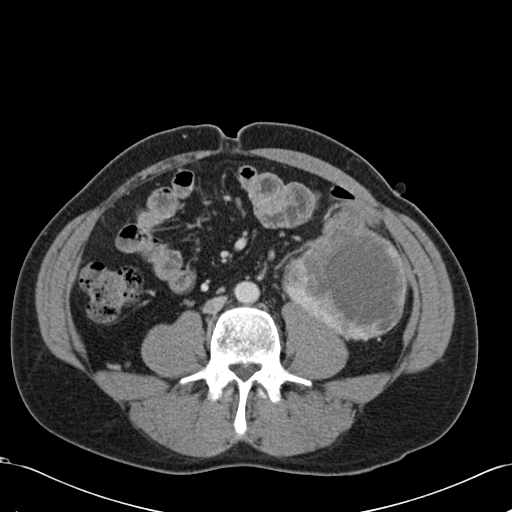
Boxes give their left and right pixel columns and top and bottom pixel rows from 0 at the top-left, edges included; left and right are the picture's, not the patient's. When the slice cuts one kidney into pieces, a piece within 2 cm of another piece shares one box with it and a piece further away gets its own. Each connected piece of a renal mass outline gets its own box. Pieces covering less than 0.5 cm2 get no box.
Slice 49/99 of a contrast-enhanced abdominal CT in the arterial phase, counting up from the lowest; pixel size 0.693 mm, slice thickness 5.00 mm. Left renal mass, the box with left 282, top 207, right 407, bottom 340 (outlined area 11,261 px, about 54.1 cm2); this slice has no kidney outline, though on another slice the same outlined renal mass lies within 1 cm of the kidney.
Tube voltage 120 kVp; convolution kernel B30f.